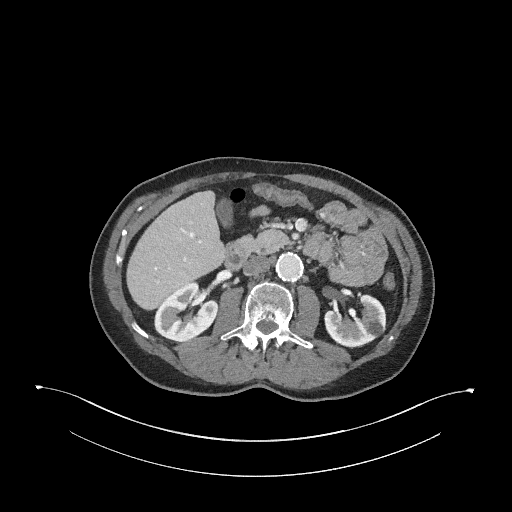
Axial slice 153 of 345 of a contrast-enhanced abdominal CT in the arterial phase (slice 1 is the lowest), 120 kVp, kernel I31f; 2.00 mm slice thickness and 0.977 mm pixels.
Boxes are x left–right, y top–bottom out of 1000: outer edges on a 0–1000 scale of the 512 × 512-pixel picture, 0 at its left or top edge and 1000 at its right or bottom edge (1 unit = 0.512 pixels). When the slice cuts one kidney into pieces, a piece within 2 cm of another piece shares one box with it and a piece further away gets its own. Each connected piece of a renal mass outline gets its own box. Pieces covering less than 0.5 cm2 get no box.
Two kidney boxes on this slice; by box centre, from the image's left to its right: (1) Box x 301–428, y 549–668 out of 1000: right kidney (outlined area 2,701 px, about 25.8 cm2). (2) Left kidney, box x 633–756, y 572–680 out of 1000 (outlined area 2,326 px, about 22.2 cm2). This slice carries no renal mass outline.